Axial slice 220 of 670 of a contrast-enhanced abdominal CT in the arterial phase (slice 1 is the lowest), 120 kVp, kernel I30f; 1.00 mm slice thickness and 0.861 mm pixels.
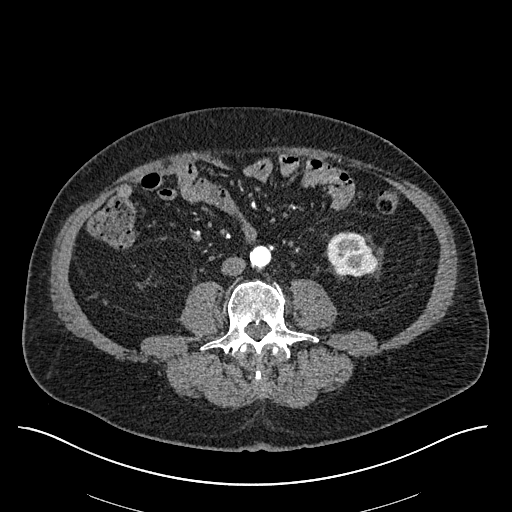
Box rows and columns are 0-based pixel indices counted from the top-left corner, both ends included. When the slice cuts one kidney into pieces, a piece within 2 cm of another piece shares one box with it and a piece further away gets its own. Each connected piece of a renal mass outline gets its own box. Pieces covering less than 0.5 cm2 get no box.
Left kidney at rows 231–275, columns 326–378 (outlined area 1,789 px, about 13.3 cm2). No renal mass outline on this slice.